Axial slice 447 of 553 of a contrast-enhanced abdominal CT in the arterial phase (slice 1 is the lowest), 120 kVp, kernel B20f; 1.00 mm slice thickness and 0.773 mm pixels.
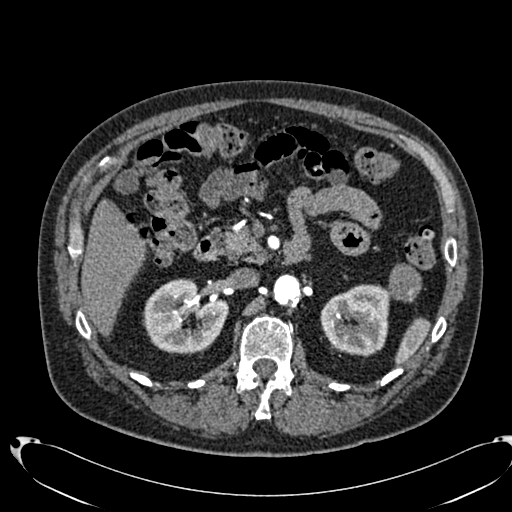
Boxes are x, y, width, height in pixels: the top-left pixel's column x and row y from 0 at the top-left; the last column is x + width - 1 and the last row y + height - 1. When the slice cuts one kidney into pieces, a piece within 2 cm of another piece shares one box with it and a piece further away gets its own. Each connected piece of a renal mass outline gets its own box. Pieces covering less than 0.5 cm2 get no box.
Boxed on this slice (two kidney boxes and one renal mass box), listed by box centre from the image's left to its right: (1) Right kidney, box x 142, y 278, width 87, height 77 (outlined area 4,769 px, about 28.5 cm2). (2) Box x 320, y 284, width 71, height 72: left kidney (outlined area 3,941 px, about 23.6 cm2). (3) Left renal mass at x 389, y 263, width 33, height 40 (outlined area 997 px, about 6.0 cm2).